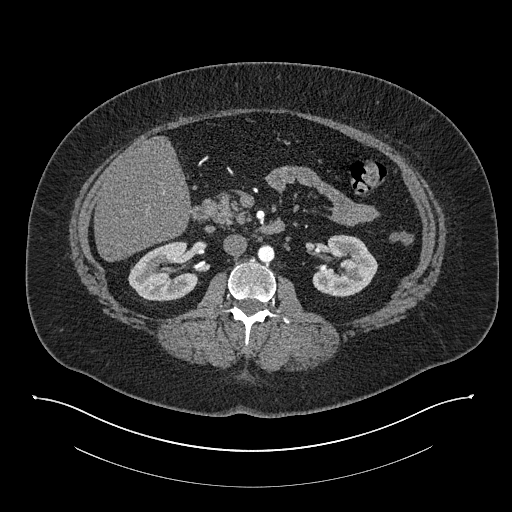
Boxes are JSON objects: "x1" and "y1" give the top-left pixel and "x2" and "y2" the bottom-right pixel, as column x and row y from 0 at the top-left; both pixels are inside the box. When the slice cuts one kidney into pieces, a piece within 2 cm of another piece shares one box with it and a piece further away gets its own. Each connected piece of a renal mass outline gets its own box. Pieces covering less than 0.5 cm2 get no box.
This is axial slice 451 of 673 (slice 1 is the lowest) of an arterial-phase abdominal CT with contrast; each pixel is 0.957 mm and the slice is 1.00 mm thick. Two kidney boxes on this slice; by box centre, from the image's left to its right: (1) Box {"x1": 128, "y1": 241, "x2": 198, "y2": 301}: right kidney (outlined area 3,087 px, about 28.3 cm2). (2) Box {"x1": 312, "y1": 234, "x2": 377, "y2": 297}: left kidney (outlined area 2,921 px, about 26.8 cm2). This slice carries no renal mass outline.
Tube voltage 140 kVp; convolution kernel I30f.